Abdominal CT with intravenous contrast, arterial phase, axial plane, 120 kVp, kernel B. Slice 68/98 from the bottom of the scan; thickness 5.00 mm; pixel size 0.703 mm.
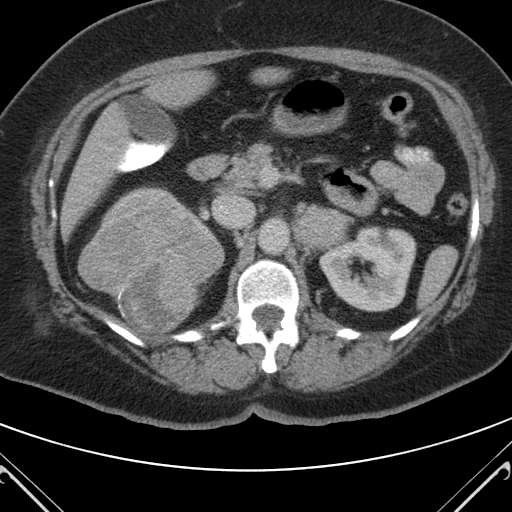
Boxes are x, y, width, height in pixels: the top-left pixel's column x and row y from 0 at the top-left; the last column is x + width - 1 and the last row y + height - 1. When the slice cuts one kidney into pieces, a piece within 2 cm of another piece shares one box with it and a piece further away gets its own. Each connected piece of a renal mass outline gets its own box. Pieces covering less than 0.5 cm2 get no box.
Boxed on this slice (one kidney box and one renal mass box), listed by box centre from the image's left to its right: (1) Box x 77, y 186, width 148, height 148: right renal mass (outlined area 14,418 px, about 71.3 cm2); on this slice it lies more than 1 cm from any kidney outline, but the same outlined renal mass comes within 1 cm of the kidney on another slice. (2) Left kidney at x 319, y 226, width 98, height 86 (outlined area 5,998 px, about 29.7 cm2).